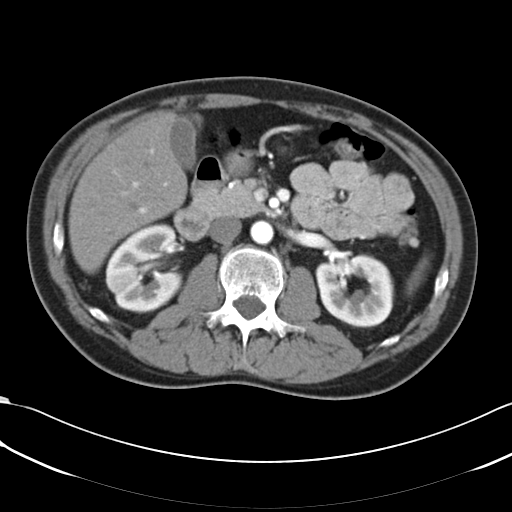
Arterial-phase contrast-enhanced abdominal CT, axial slice 38 of 66 (counted from the lowest slice); tube voltage 120 kVp, convolution kernel B30f; slices 5.00 mm thick, 0.678 mm per pixel.
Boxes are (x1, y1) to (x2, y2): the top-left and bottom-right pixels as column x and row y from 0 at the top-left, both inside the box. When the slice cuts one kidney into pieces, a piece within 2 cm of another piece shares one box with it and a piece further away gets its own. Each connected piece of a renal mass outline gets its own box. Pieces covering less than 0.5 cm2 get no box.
Two boxes on this slice (two kidney boxes), listed by box centre from the image's left to its right. (1) Right kidney, box (105, 224) to (183, 312) (outlined area 5,290 px, about 24.3 cm2). (2) Left kidney, box (315, 254) to (394, 327) (outlined area 4,441 px, about 20.4 cm2). No renal mass is outlined on this slice.